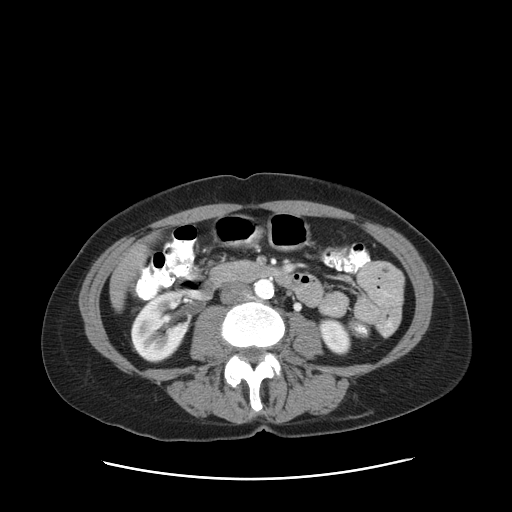
Abdominal CT with intravenous contrast, arterial phase, axial plane, 120 kVp, kernel STANDARD. Slice 46/83 from the bottom of the scan; thickness 5.00 mm; pixel size 0.775 mm.
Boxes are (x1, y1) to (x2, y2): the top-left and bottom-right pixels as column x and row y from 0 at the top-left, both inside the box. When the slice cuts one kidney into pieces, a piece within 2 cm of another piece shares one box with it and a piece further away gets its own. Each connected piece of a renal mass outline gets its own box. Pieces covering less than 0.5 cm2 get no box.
Two boxes on this slice (two kidney boxes), listed by box centre from the image's left to its right. (1) Box (130, 290) to (194, 363): right kidney (outlined area 3,239 px, about 19.5 cm2). (2) Left kidney, box (318, 317) to (351, 355) (outlined area 918 px, about 5.5 cm2). No renal mass is outlined on this slice.